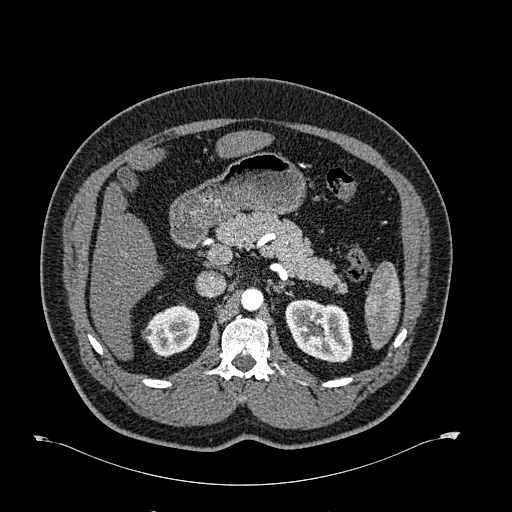
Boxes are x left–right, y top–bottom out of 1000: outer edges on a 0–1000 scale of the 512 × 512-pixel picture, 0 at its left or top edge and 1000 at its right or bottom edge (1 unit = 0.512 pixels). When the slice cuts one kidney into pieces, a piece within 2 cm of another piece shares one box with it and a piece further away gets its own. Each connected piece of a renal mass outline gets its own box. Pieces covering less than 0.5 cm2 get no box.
Slice 434/723 of a contrast-enhanced abdominal CT in the arterial phase, counting up from the lowest; pixel size 0.895 mm, slice thickness 1.00 mm. Boxed on this slice (two kidney boxes), listed by box centre from the image's left to its right: (1) Box x 277–389, y 590–697 out of 1000: right kidney (outlined area 2,184 px, about 17.5 cm2). (2) Left kidney at x 557–691, y 584–709 out of 1000 (outlined area 3,321 px, about 26.6 cm2). This slice carries no renal mass outline.
Acquired at 120 kVp and reconstructed with the B30f kernel.